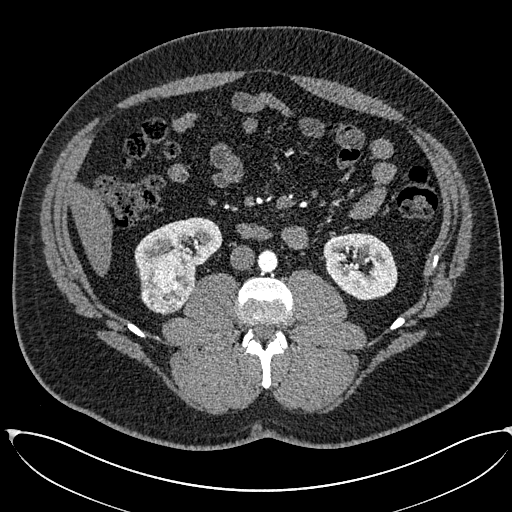
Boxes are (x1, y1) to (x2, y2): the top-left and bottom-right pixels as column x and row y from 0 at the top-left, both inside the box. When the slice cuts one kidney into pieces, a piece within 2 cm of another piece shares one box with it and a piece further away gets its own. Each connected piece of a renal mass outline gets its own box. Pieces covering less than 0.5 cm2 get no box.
Slice 291/673 of a contrast-enhanced abdominal CT in the arterial phase, counting up from the lowest; pixel size 0.855 mm, slice thickness 1.00 mm. Three boxes on this slice (two kidney boxes and one renal mass box), listed by box centre from the image's left to its right. (1) Box (139, 252) to (195, 313): right renal mass (outlined area 2,651 px, about 19.4 cm2). (2) Right kidney from (134, 217) to (222, 276) (outlined area 3,002 px, about 22.0 cm2). (3) Left kidney, box (323, 233) to (397, 300) (outlined area 3,851 px, about 28.2 cm2).
Tube voltage 120 kVp; convolution kernel I30f.